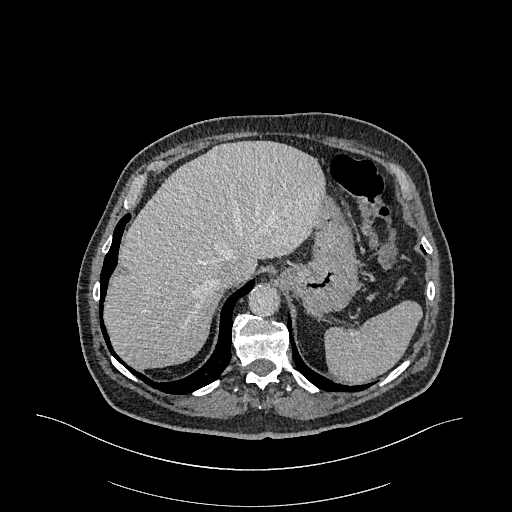
Slice 322/470 of a contrast-enhanced abdominal CT in the arterial phase, counting up from the lowest; pixel size 0.938 mm, slice thickness 1.00 mm. Outside the outlined region: no kidney outline and no renal mass outline on this slice. The scan's outlines cover only kidneys and renal masses; no other organ is outlined.
Acquired at 120 kVp and reconstructed with the I26f kernel.